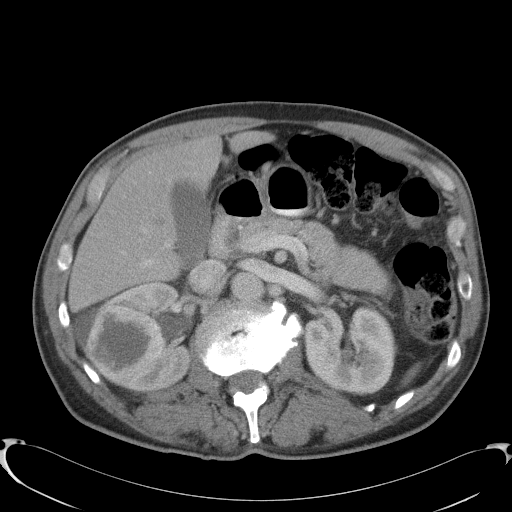
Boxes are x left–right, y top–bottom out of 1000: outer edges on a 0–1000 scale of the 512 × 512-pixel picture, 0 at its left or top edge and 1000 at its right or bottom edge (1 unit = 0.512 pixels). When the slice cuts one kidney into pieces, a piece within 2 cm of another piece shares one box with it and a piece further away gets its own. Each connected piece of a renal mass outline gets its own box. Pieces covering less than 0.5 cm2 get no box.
This is axial slice 67 of 91 (slice 1 is the lowest) of an abdominal CT with contrast; each pixel is 0.762 mm and the slice is 5.00 mm thick. Boxed on this slice (two kidney boxes and one renal mass box), listed by box centre from the image's left to its right: (1) Right renal mass at x 164–322, y 594–754 out of 1000 (outlined area 4,906 px, about 28.5 cm2). (2) Right kidney, box x 143–375, y 551–766 out of 1000 (outlined area 4,804 px, about 27.9 cm2). (3) Box x 592–773, y 596–771 out of 1000: left kidney (outlined area 6,562 px, about 38.1 cm2).
Acquired at 120 kVp and reconstructed with the B41f kernel.